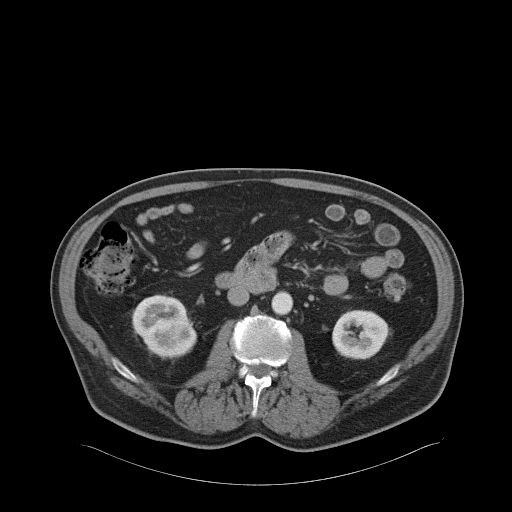
Axial slice 27 of 68 of a contrast-enhanced abdominal CT in the arterial phase (slice 1 is the lowest), 120 kVp, kernel B31f; 5.00 mm slice thickness and 0.961 mm pixels.
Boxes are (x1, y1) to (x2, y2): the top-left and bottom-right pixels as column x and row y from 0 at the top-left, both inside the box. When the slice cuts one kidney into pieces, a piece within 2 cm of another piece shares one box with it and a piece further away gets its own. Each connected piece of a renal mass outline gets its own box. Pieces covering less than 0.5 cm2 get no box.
Boxed on this slice (two kidney boxes and one renal mass box), listed by box centre from the image's left to its right: (1) Box (131, 294) to (197, 359): right kidney (outlined area 2,331 px, about 21.5 cm2). (2) Right renal mass from (149, 313) to (192, 339) (outlined area 767 px, about 7.1 cm2). (3) Left kidney from (332, 309) to (387, 359) (outlined area 2,245 px, about 20.7 cm2).